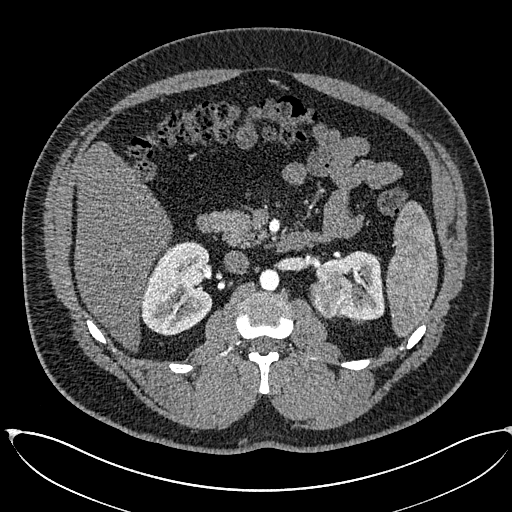
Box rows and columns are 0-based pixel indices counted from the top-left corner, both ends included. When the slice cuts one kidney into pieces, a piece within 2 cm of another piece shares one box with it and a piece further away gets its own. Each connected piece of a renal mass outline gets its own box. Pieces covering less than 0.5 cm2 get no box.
Arterial-phase contrast-enhanced abdominal CT, axial slice 373 of 673 (counted from the lowest slice); 1.00 mm thick, 0.855 mm per pixel. Boxed on this slice (two kidney boxes and one renal mass box), listed by box centre from the image's left to its right: (1) Box rows 241–335, columns 140–212: right kidney (outlined area 5,177 px, about 37.9 cm2). (2) Box rows 275–319, columns 309–355: left renal mass (outlined area 1,593 px, about 11.7 cm2). (3) Left kidney, box rows 251–320, columns 316–384 (outlined area 2,646 px, about 19.4 cm2).
Acquired at 120 kVp and reconstructed with the I30f kernel.